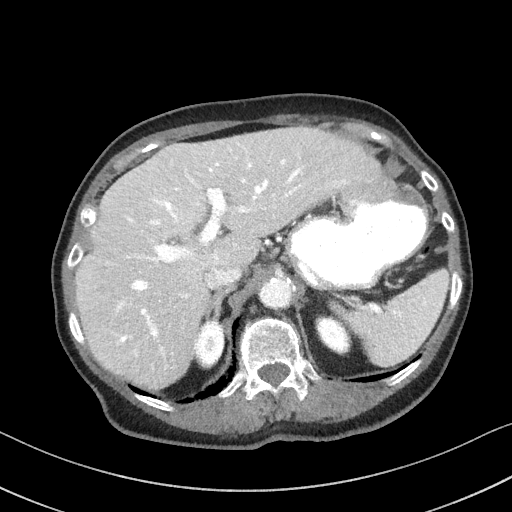
Abdominal CT with intravenous contrast, axial plane, 100 kVp, kernel I41f. Slice 73/92 from the bottom of the scan; thickness 3.00 mm; pixel size 0.684 mm.
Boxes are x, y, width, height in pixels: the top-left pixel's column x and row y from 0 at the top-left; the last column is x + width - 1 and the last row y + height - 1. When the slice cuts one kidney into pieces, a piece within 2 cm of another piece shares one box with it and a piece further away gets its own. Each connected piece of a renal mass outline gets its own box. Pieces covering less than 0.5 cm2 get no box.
Two kidney boxes on this slice; by box centre, from the image's left to its right: (1) Box x 194, y 321, width 31, height 49: right kidney (outlined area 1,203 px, about 5.6 cm2). (2) Left kidney at x 314, y 313, width 39, height 44 (outlined area 1,145 px, about 5.4 cm2). No renal mass is outlined on this slice.